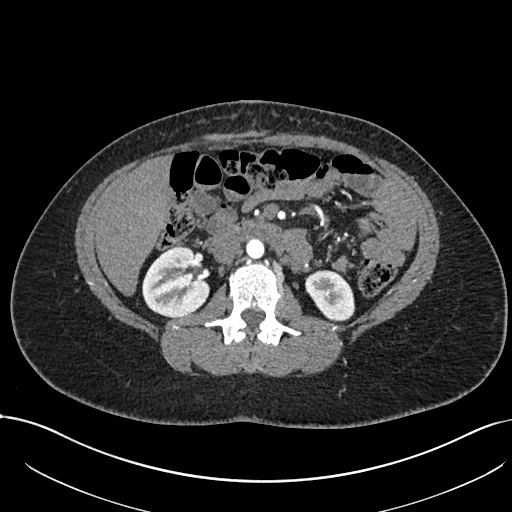
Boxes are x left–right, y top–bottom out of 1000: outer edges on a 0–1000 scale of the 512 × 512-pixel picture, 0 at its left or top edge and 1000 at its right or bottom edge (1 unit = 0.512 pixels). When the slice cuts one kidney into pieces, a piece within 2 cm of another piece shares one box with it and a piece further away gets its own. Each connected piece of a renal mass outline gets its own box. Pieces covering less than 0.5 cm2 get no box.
Arterial-phase contrast-enhanced abdominal CT, axial slice 406 of 738 (counted from the lowest slice); 1.00 mm thick, 0.789 mm per pixel. Two kidney boxes on this slice; by box centre, from the image's left to its right: (1) Right kidney, box x 277–408, y 480–621 out of 1000 (outlined area 3,646 px, about 22.7 cm2). (2) Box x 596–695, y 527–629 out of 1000: left kidney (outlined area 1,908 px, about 11.9 cm2). No renal mass is outlined on this slice.
Acquired at 120 kVp and reconstructed with the I30f kernel.